Abdominal CT with intravenous contrast, arterial phase, axial plane, 120 kVp, kernel B31f. Slice 24/49 from the bottom of the scan; thickness 5.00 mm; pixel size 0.691 mm.
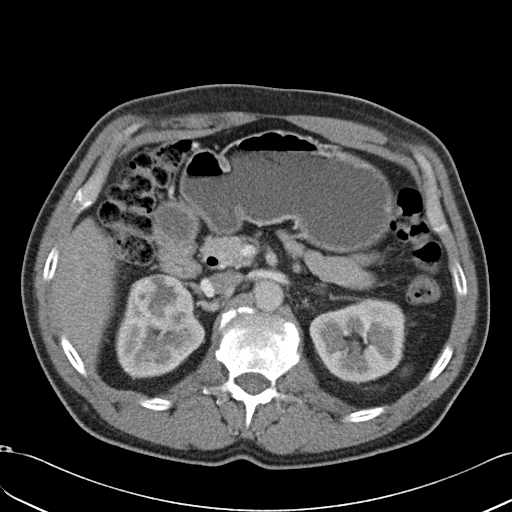
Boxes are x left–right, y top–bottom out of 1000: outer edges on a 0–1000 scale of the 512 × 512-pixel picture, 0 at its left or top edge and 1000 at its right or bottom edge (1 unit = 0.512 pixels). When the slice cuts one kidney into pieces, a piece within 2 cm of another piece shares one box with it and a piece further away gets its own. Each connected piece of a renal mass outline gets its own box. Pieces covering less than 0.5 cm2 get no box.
Three boxes on this slice (two kidney boxes and one renal mass box), listed by box centre from the image's left to its right. (1) Right kidney, box x 225–400, y 551–740 out of 1000 (outlined area 4,152 px, about 19.8 cm2). (2) Right renal mass, box x 260–379, y 535–646 out of 1000 (outlined area 2,692 px, about 12.9 cm2). (3) Left kidney, box x 604–795, y 582–752 out of 1000 (outlined area 6,369 px, about 30.4 cm2).